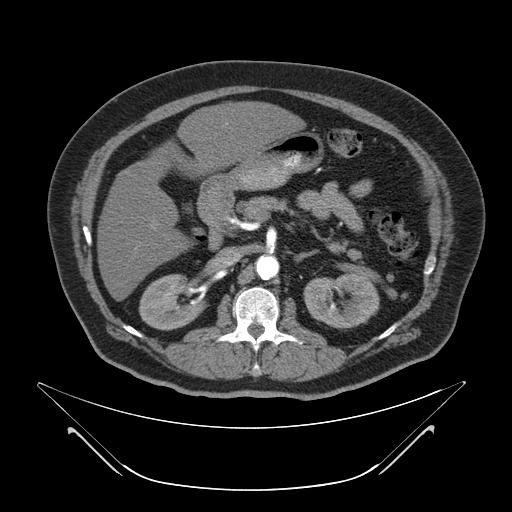
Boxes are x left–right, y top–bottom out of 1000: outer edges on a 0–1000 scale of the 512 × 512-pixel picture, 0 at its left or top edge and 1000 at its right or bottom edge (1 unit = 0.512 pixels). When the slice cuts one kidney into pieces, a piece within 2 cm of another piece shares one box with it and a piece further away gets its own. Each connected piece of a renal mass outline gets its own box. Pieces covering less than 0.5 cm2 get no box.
Contrast-enhanced abdominal CT, axial slice 32 of 64 (counted from the lowest slice); 4.00 mm thick, 0.977 mm per pixel. Two boxes on this slice (two kidney boxes), listed by box centre from the image's left to its right. (1) Box x 271–406, y 535–646 out of 1000: right kidney (outlined area 2,803 px, about 26.7 cm2). (2) Box x 592–742, y 533–643 out of 1000: left kidney (outlined area 3,238 px, about 30.9 cm2). No renal mass outline on this slice.
Acquired at 120 kVp and reconstructed with the B kernel.